Arterial-phase contrast-enhanced abdominal CT, axial slice 148 of 199 (counted from the lowest slice); tube voltage 120 kVp, convolution kernel STANDARD; slices 2.50 mm thick, 0.789 mm per pixel.
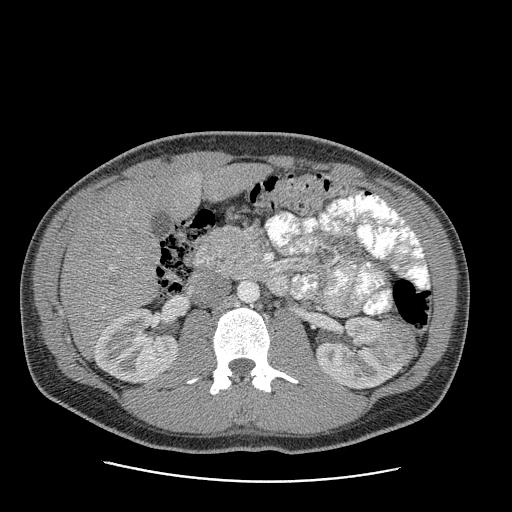
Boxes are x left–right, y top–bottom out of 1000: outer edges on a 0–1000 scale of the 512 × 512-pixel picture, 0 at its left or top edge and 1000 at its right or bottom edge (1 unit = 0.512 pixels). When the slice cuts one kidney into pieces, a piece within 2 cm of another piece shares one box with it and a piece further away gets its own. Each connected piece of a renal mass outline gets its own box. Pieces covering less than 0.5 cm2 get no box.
Two kidney boxes and one renal mass box on this slice; by box centre, from the image's left to its right: (1) Right kidney at x 186–348, y 604–750 out of 1000 (outlined area 4,595 px, about 28.6 cm2). (2) Box x 617–781, y 617–764 out of 1000: left kidney (outlined area 3,949 px, about 24.6 cm2). (3) Left renal mass at x 740–814, y 619–721 out of 1000 (outlined area 1,449 px, about 9.0 cm2).